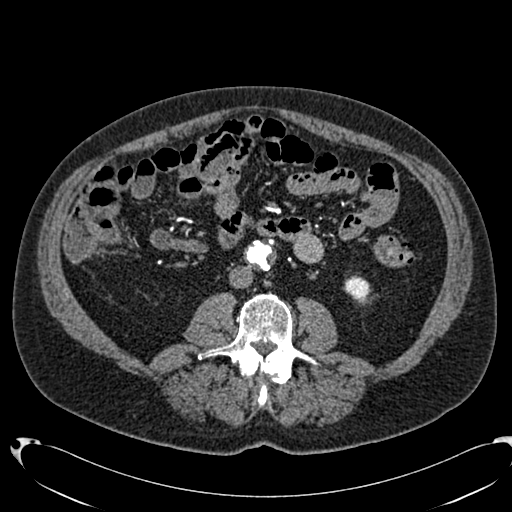
Abdominal CT with intravenous contrast, arterial phase, axial plane, 120 kVp, kernel B20f. Slice 313/553 from the bottom of the scan; thickness 1.00 mm; pixel size 0.773 mm.
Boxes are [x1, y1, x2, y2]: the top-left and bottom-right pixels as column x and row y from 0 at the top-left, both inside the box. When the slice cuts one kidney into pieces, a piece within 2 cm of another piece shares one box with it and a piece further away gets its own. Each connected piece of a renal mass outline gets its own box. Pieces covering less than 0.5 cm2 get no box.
Left kidney at [344, 276, 369, 302] (outlined area 496 px, about 3.0 cm2). This slice carries no renal mass outline.